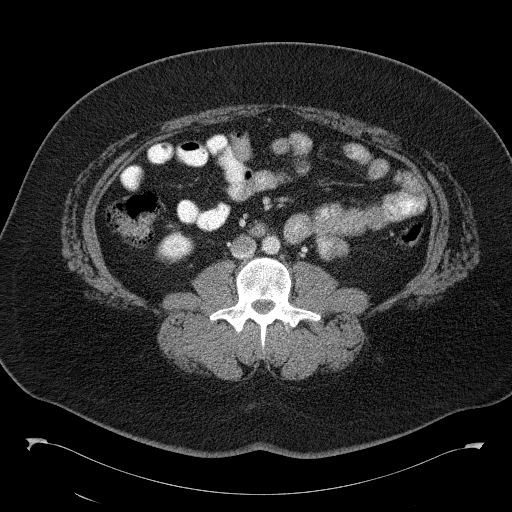
Contrast-enhanced abdominal CT, axial slice 66 of 146 (counted from the lowest slice); tube voltage 120 kVp, convolution kernel B41f; slices 5.00 mm thick, 0.840 mm per pixel.
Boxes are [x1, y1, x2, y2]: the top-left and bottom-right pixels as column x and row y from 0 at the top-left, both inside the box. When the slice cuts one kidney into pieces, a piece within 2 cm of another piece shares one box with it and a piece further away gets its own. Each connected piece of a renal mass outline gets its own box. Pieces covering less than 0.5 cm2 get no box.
Kidney at [158, 232, 192, 259] (outlined area 725 px, about 5.1 cm2). No renal mass outline on this slice.